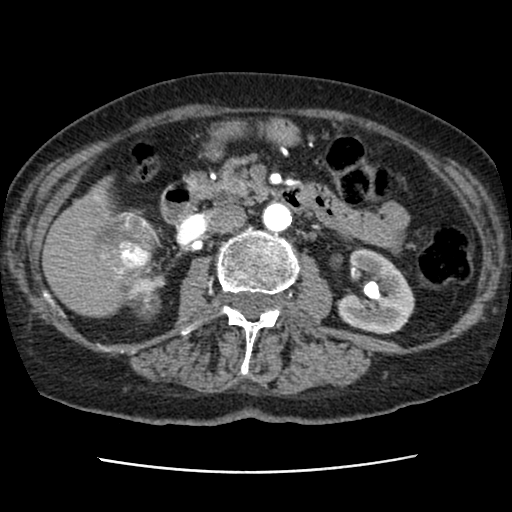
Contrast-enhanced abdominal CT, axial slice 43 of 76 (counted from the lowest slice); tube voltage 120 kVp, convolution kernel STANDARD; slices 2.50 mm thick, 0.586 mm per pixel.
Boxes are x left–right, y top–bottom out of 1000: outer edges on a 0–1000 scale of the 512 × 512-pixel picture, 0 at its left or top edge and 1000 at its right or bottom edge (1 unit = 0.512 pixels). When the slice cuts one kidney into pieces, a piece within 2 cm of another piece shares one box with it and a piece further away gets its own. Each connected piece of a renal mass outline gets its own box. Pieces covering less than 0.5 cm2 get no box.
Boxed on this slice (one kidney box and one renal mass box), listed by box centre from the image's left to its right: (1) Right renal mass at x 191–307, y 416–576 out of 1000 (outlined area 3,540 px, about 12.2 cm2); it sits over 1 cm from every kidney outline on this slice, but the same outlined renal mass comes within 1 cm of the kidney on another slice. (2) Box x 654–811, y 482–654 out of 1000: left kidney (outlined area 4,683 px, about 16.1 cm2).